Axial slice 304 of 683 of a contrast-enhanced abdominal CT in the arterial phase (slice 1 is the lowest), 120 kVp, kernel I30f; 1.00 mm slice thickness and 0.738 mm pixels.
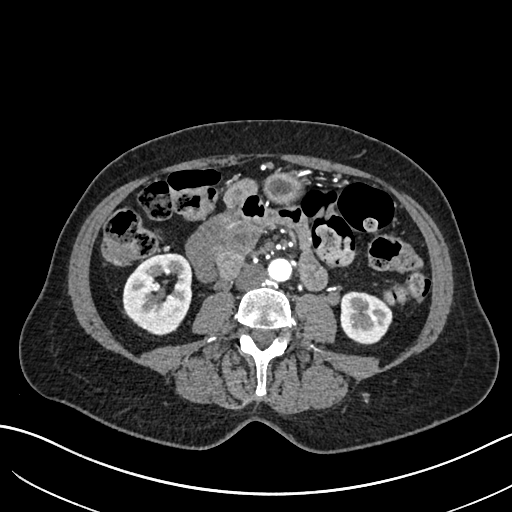
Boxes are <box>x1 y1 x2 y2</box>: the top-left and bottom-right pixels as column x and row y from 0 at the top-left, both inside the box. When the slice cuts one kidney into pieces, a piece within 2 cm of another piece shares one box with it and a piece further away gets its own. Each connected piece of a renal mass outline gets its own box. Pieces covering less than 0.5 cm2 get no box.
Two boxes on this slice (two kidney boxes), listed by box centre from the image's left to its right. (1) Right kidney at <box>122 252 192 335</box> (outlined area 4,329 px, about 23.6 cm2). (2) Left kidney: <box>340 291 392 344</box> (outlined area 2,221 px, about 12.1 cm2).